Abdominal CT with intravenous contrast, arterial phase, axial plane, 120 kVp, kernel I26f. Slice 786/987 from the bottom of the scan; thickness 1.00 mm; pixel size 0.977 mm.
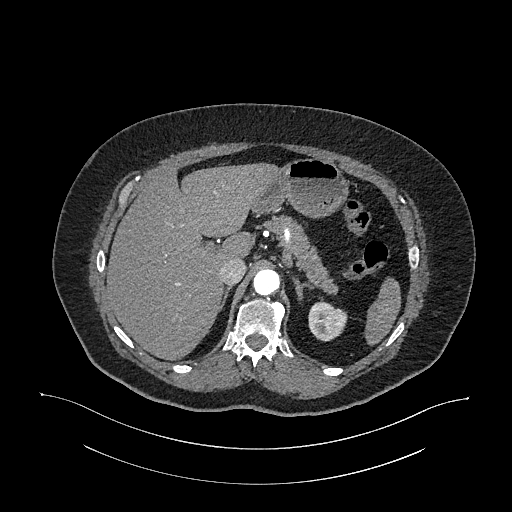
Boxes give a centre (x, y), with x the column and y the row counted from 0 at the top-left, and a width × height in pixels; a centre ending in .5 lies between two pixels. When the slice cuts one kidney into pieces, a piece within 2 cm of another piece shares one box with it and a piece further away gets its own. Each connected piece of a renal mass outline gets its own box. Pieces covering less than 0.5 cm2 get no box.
Left kidney, box centre (327.5, 320.5), 40 × 42 pixels (outlined area 1,210 px, about 11.5 cm2). This slice carries no renal mass outline.